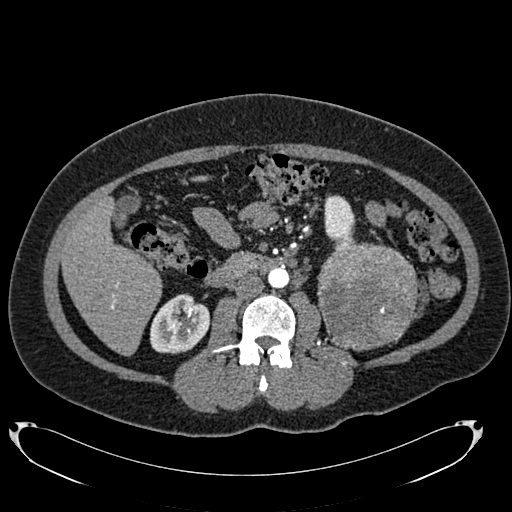
Axial slice 382 of 634 of a contrast-enhanced abdominal CT in the arterial phase (slice 1 is the lowest), 120 kVp, kernel B20f; 1.00 mm slice thickness and 0.838 mm pixels.
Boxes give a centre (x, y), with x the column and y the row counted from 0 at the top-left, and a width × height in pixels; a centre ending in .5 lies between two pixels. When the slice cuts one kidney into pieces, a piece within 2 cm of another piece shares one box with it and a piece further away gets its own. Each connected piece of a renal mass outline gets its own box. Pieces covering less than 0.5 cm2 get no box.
Two kidney boxes and one renal mass box on this slice; by box centre, from the image's left to its right: (1) Right kidney in a box with centre (179.5, 323), 60 × 61 pixels (outlined area 2,717 px, about 19.1 cm2). (2) Box centre (339.5, 219.5), 32 × 52 pixels: left kidney (outlined area 1,246 px, about 8.7 cm2). (3) Box centre (367.5, 296), 102 × 111 pixels: left renal mass (outlined area 8,903 px, about 62.5 cm2).